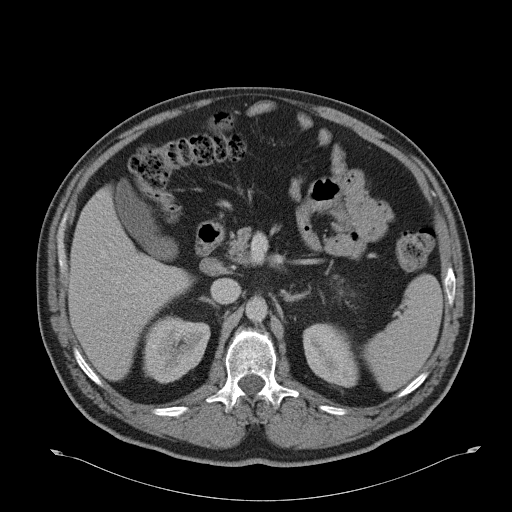
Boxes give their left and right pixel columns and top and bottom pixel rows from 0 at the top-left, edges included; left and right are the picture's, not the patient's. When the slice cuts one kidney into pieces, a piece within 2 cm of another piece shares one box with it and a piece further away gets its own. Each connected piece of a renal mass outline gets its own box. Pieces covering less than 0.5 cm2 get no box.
This is axial slice 27 of 51 (slice 1 is the lowest) of an abdominal CT with contrast; each pixel is 0.865 mm and the slice is 5.00 mm thick. Two kidney boxes on this slice; by box centre, from the image's left to its right: (1) Right kidney, the box with left 143, top 315, right 210, bottom 383 (outlined area 3,464 px, about 25.9 cm2). (2) Box with left 302, top 323, right 358, bottom 387: left kidney (outlined area 2,698 px, about 20.2 cm2). No renal mass outline on this slice.
Acquired at 120 kVp and reconstructed with the B31f kernel.